Arterial-phase contrast-enhanced abdominal CT, axial slice 321 of 673 (counted from the lowest slice); tube voltage 120 kVp, convolution kernel I30f; slices 1.00 mm thick, 0.855 mm per pixel.
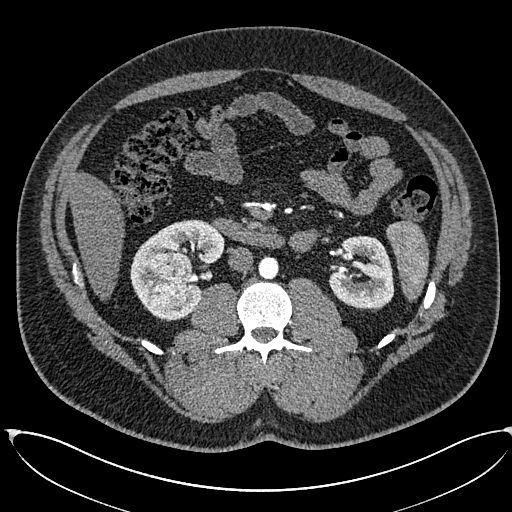
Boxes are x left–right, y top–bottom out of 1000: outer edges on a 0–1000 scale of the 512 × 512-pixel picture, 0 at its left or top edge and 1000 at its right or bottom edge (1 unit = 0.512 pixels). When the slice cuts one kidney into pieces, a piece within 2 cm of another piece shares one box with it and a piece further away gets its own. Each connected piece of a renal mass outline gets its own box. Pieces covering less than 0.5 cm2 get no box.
Boxed on this slice (two kidney boxes and one renal mass box), listed by box centre from the image's left to its right: (1) Right renal mass, box x 291–377, y 492–604 out of 1000 (outlined area 2,038 px, about 14.9 cm2). (2) Right kidney at x 254–439, y 428–627 out of 1000 (outlined area 4,552 px, about 33.3 cm2). (3) Left kidney, box x 641–771, y 459–605 out of 1000 (outlined area 3,678 px, about 26.9 cm2).